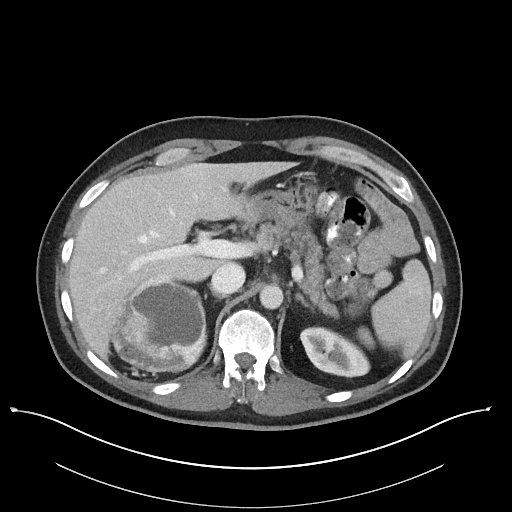
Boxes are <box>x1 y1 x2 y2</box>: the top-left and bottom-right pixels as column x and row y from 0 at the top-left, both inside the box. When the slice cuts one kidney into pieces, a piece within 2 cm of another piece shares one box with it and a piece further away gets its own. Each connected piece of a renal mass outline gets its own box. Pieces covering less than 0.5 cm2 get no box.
This is axial slice 79 of 101 (slice 1 is the lowest) of an abdominal CT with contrast; each pixel is 0.879 mm and the slice is 5.00 mm thick. Boxed on this slice (one kidney box and one renal mass box), listed by box centre from the image's left to its right: (1) Right renal mass: <box>106 278 207 373</box> (outlined area 7,591 px, about 58.6 cm2). (2) Left kidney: <box>299 326 370 377</box> (outlined area 2,476 px, about 19.1 cm2).
Scan settings: 100 kVp, I40f reconstruction kernel.